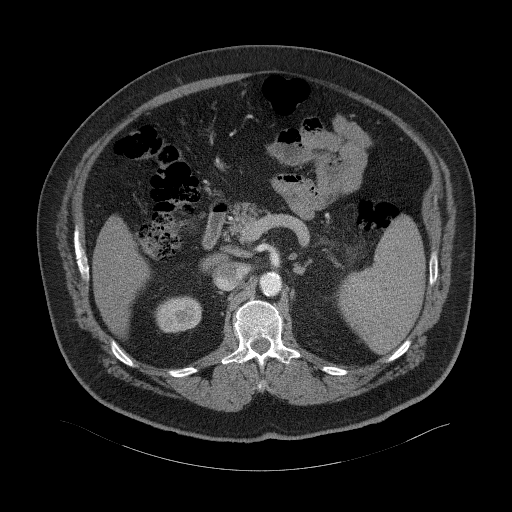
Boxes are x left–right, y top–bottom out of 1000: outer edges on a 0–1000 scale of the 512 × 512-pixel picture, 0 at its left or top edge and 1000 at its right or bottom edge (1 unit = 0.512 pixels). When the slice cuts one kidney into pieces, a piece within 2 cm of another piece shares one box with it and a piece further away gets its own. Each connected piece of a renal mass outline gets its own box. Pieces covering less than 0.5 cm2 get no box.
Contrast-enhanced abdominal CT, axial slice 42 of 94 (counted from the lowest slice); 3.00 mm thick, 0.977 mm per pixel. Right kidney at x 301–396, y 578–650 out of 1000 (outlined area 1,423 px, about 13.6 cm2). No renal mass outline on this slice.
Acquired at 120 kVp and reconstructed with the B41f kernel.